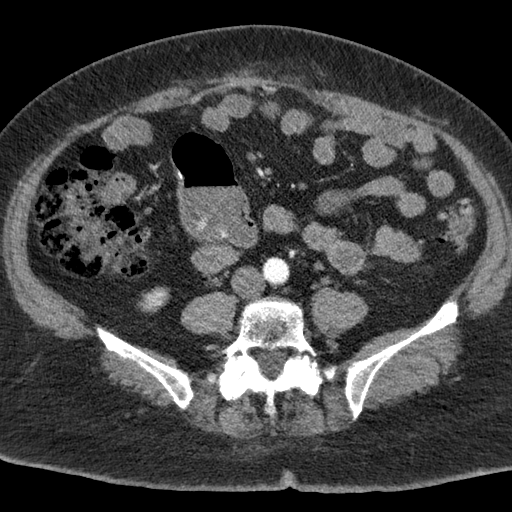
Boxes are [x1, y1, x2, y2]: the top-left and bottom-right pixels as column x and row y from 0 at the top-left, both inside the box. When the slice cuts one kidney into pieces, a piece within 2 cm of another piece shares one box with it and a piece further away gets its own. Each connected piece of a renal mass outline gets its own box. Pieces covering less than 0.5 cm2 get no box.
This is axial slice 13 of 76 (slice 1 is the lowest) of an abdominal CT with contrast; each pixel is 0.684 mm and the slice is 3.00 mm thick. Right kidney at [137, 286, 170, 313] (outlined area 604 px, about 2.8 cm2). No renal mass is outlined on this slice.
Acquired at 120 kVp and reconstructed with the B kernel.